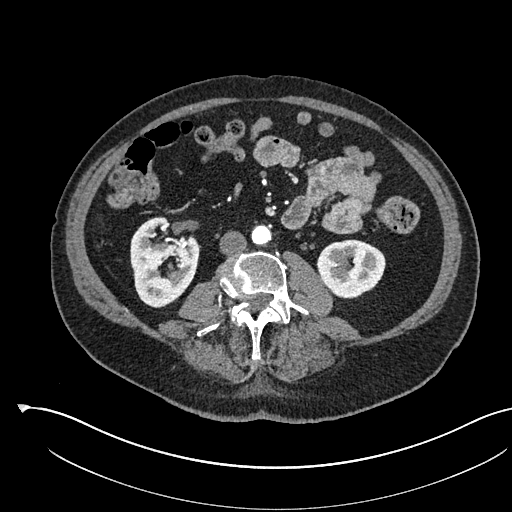
Abdominal CT with intravenous contrast, arterial phase, axial plane, 120 kVp, kernel I30f. Slice 256/541 from the bottom of the scan; thickness 1.00 mm; pixel size 0.834 mm.
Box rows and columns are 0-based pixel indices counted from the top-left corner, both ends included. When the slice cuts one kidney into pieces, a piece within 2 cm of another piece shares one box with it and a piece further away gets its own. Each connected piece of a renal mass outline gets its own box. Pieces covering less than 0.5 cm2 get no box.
Boxed on this slice (two kidney boxes), listed by box centre from the image's left to its right: (1) Right kidney, box rows 216–307, columns 130–199 (outlined area 4,580 px, about 31.9 cm2). (2) Left kidney at rows 239–298, columns 317–385 (outlined area 3,142 px, about 21.9 cm2). This slice carries no renal mass outline.